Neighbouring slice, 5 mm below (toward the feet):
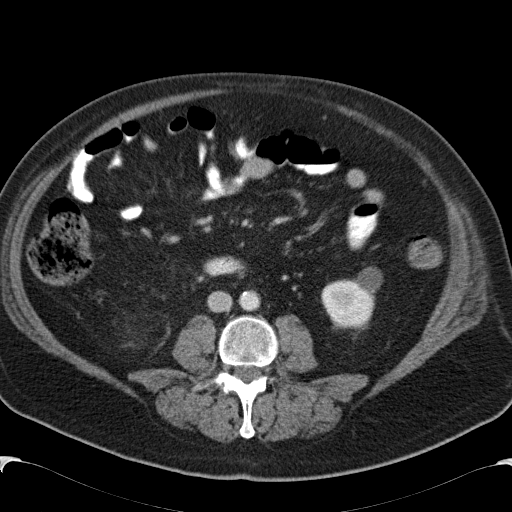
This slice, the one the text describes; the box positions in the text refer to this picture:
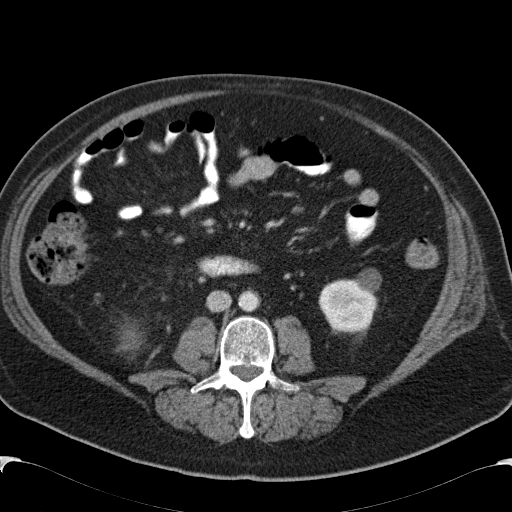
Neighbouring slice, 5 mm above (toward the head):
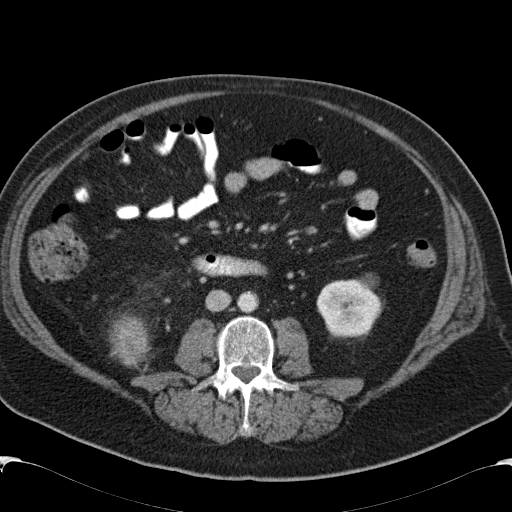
Axial slice 61 of 99 of a contrast-enhanced abdominal CT (slice 1 is the lowest), 120 kVp, kernel B31f; 5.00 mm slice thickness and 0.742 mm pixels.
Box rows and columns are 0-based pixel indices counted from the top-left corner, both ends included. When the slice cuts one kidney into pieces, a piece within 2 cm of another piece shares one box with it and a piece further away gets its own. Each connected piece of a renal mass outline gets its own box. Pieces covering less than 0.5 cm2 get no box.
Two boxes on this slice (one kidney box and one renal mass box), listed by box centre from the image's left to its right. (1) Right renal mass, box rows 325–351, columns 120–139 (outlined area 417 px, about 2.3 cm2); here it is more than 1 cm from any kidney outline, though on another slice the same outlined renal mass lies within 1 cm of the kidney. (2) Left kidney, box rows 268–333, columns 318–381 (outlined area 2,926 px, about 16.1 cm2). This slice lies near the end of the right renal mass toward the feet; the slices 5 mm below and 5 mm above it are shown too, and the boxes mark positions on this slice only.